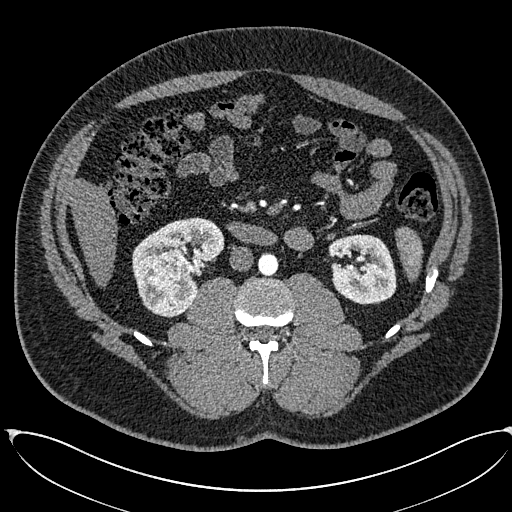
Arterial-phase contrast-enhanced abdominal CT, axial slice 305 of 673 (counted from the lowest slice); tube voltage 120 kVp, convolution kernel I30f; slices 1.00 mm thick, 0.855 mm per pixel.
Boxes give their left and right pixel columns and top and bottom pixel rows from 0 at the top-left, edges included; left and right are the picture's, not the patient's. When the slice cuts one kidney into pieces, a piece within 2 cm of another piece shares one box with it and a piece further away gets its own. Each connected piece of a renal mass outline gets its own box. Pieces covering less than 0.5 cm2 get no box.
Three boxes on this slice (two kidney boxes and one renal mass box), listed by box centre from the image's left to its right. (1) Right renal mass, the box with left 144, top 249, right 190, bottom 313 (outlined area 2,444 px, about 17.9 cm2). (2) Right kidney in the box with left 132, top 217, right 224, bottom 317 (outlined area 3,917 px, about 28.7 cm2). (3) Left kidney in the box with left 328, top 234, right 396, bottom 304 (outlined area 3,800 px, about 27.8 cm2).